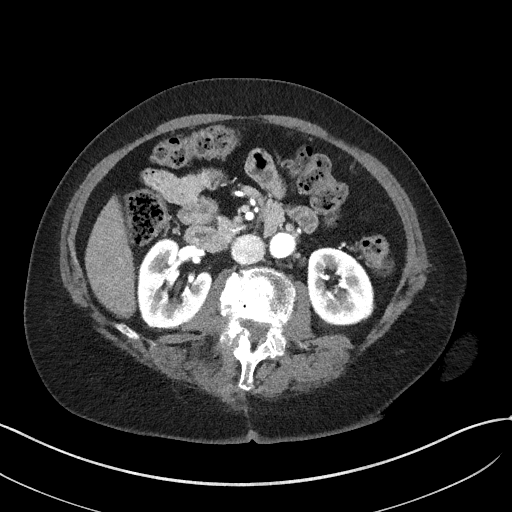
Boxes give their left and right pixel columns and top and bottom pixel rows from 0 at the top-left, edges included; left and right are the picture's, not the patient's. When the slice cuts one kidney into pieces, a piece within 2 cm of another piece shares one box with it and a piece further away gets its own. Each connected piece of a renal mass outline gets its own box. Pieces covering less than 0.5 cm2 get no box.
Slice 22/50 of a contrast-enhanced abdominal CT in the arterial phase, counting up from the lowest; pixel size 0.758 mm, slice thickness 3.00 mm. Two kidney boxes on this slice; by box centre, from the image's left to its right: (1) Right kidney, the box with left 138, top 238, right 212, bottom 329 (outlined area 4,703 px, about 27.0 cm2). (2) Left kidney, the box with left 307, top 247, right 374, bottom 326 (outlined area 4,112 px, about 23.6 cm2). This slice carries no renal mass outline.
Tube voltage 100 kVp; convolution kernel I41f.